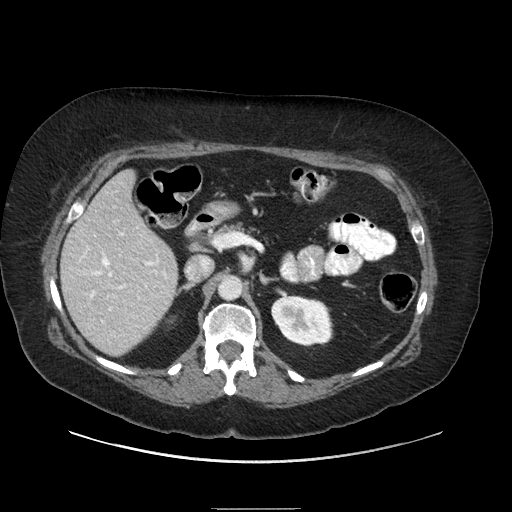
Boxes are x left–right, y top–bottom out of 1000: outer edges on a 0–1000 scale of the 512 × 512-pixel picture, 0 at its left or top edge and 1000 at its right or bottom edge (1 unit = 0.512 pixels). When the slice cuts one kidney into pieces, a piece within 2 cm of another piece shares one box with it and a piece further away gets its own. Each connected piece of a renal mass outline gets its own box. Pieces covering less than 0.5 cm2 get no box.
Slice 140/186 of a contrast-enhanced abdominal CT, counting up from the lowest; pixel size 0.850 mm, slice thickness 2.50 mm. Left kidney at x 529–652, y 576–678 out of 1000 (outlined area 2,500 px, about 18.0 cm2). No renal mass is outlined on this slice.
Scan settings: 120 kVp, STANDARD reconstruction kernel.